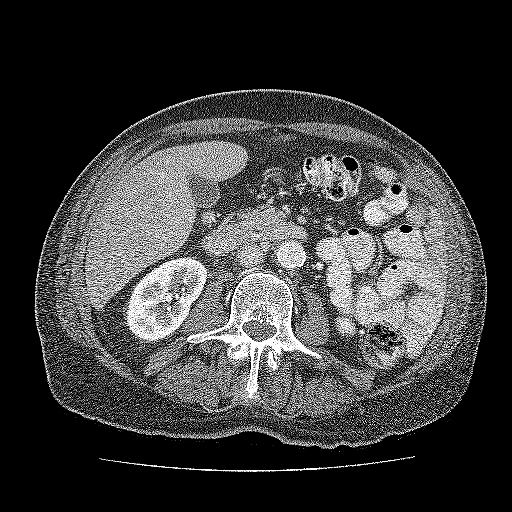
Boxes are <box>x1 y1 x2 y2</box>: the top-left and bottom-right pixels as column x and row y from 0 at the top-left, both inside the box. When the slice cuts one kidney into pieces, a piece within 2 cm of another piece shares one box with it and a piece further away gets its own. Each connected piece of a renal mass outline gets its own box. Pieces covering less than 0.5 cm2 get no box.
Slice 86/137 of a contrast-enhanced abdominal CT, counting up from the lowest; pixel size 0.741 mm, slice thickness 3.00 mm. Two boxes on this slice (two kidney boxes), listed by box centre from the image's left to its right. (1) Kidney at <box>122 255 207 344</box> (outlined area 4,901 px, about 26.9 cm2). (2) Kidney at <box>335 314 357 336</box> (outlined area 386 px, about 2.1 cm2). No renal mass is outlined on this slice.
Scan settings: 120 kVp, FC52 reconstruction kernel.